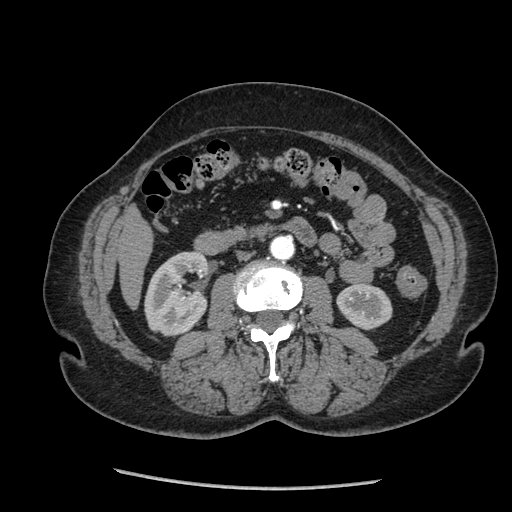
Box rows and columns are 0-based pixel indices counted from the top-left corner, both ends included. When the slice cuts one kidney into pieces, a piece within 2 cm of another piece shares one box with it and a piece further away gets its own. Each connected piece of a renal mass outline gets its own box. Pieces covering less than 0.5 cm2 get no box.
This is axial slice 108 of 233 (slice 1 is the lowest) of an arterial-phase abdominal CT with contrast; each pixel is 0.703 mm and the slice is 1.25 mm thick. Two boxes on this slice (two kidney boxes), listed by box centre from the image's left to its right. (1) Right kidney at rows 251–336, columns 144–209 (outlined area 4,289 px, about 21.2 cm2). (2) Left kidney at rows 284–330, columns 336–392 (outlined area 1,999 px, about 9.9 cm2). No renal mass is outlined on this slice.
Tube voltage 120 kVp; convolution kernel STANDARD.